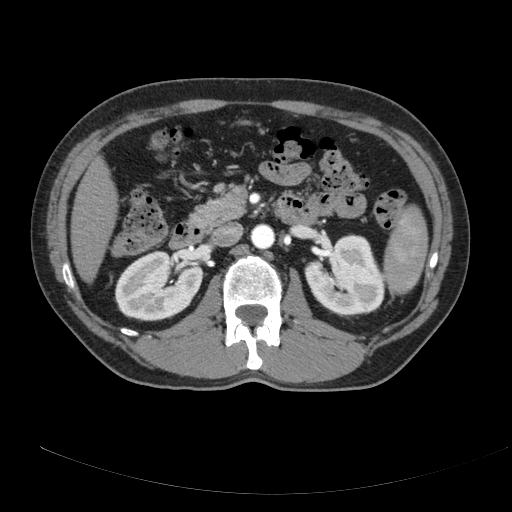
Abdominal CT with intravenous contrast, axial plane, 120 kVp, kernel B. Slice 112/178 from the bottom of the scan; thickness 3.00 mm; pixel size 0.818 mm.
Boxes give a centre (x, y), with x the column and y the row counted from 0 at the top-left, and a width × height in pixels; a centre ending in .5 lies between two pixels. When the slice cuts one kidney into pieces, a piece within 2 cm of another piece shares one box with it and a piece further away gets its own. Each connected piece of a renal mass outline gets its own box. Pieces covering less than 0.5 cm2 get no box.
Two kidney boxes on this slice; by box centre, from the image's left to its right: (1) Box centre (159, 285.5), 89 × 72 pixels: right kidney (outlined area 4,721 px, about 31.6 cm2). (2) Left kidney in a box with centre (344, 276), 81 × 85 pixels (outlined area 4,800 px, about 32.1 cm2). No renal mass is outlined on this slice.